One axial slice (128 of 206, counting up from the lowest) of a contrast-enhanced abdominal CT acquired with 120 kVp, kernel STANDARD; each pixel is 0.879 mm and the slice is 2.50 mm thick.
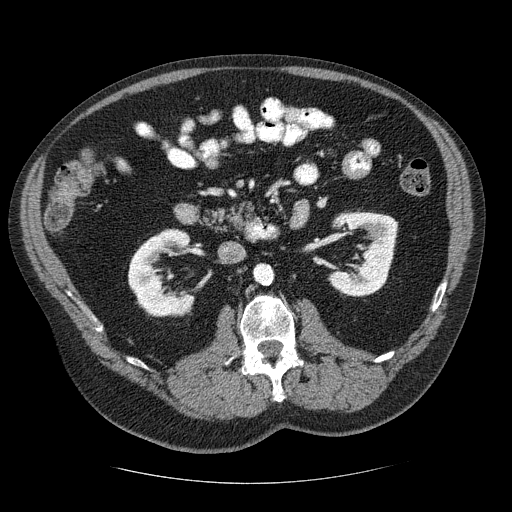
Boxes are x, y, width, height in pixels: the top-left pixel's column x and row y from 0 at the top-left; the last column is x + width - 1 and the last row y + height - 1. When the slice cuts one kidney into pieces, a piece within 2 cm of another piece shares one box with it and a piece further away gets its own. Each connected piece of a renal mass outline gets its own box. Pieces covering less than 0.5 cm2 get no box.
Two kidney boxes on this slice; by box centre, from the image's left to its right: (1) Right kidney at x 127, y 228, width 69, height 90 (outlined area 4,025 px, about 31.1 cm2). (2) Box x 327, y 210, width 72, height 87: left kidney (outlined area 4,297 px, about 33.2 cm2). No renal mass is outlined on this slice.